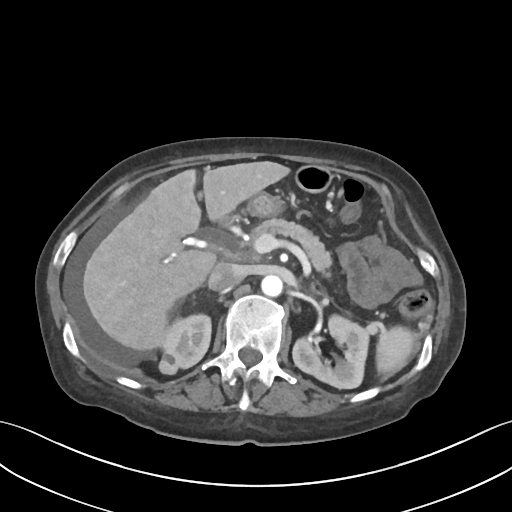
One axial slice (53 of 109, counting up from the lowest) of a contrast-enhanced abdominal CT acquired with 120 kVp, kernel I30f; each pixel is 0.742 mm and the slice is 3.00 mm thick.
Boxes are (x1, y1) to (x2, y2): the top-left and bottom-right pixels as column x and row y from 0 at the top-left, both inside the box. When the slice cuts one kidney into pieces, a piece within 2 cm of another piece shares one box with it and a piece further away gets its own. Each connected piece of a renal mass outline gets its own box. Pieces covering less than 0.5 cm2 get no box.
Boxed on this slice (two kidney boxes and one renal mass box), listed by box centre from the image's left to its right: (1) Right renal mass, box (158, 353) to (179, 375) (outlined area 377 px, about 2.1 cm2). (2) Right kidney, box (160, 312) to (212, 369) (outlined area 2,134 px, about 11.8 cm2). (3) Box (292, 314) to (370, 389): left kidney (outlined area 4,043 px, about 22.3 cm2).